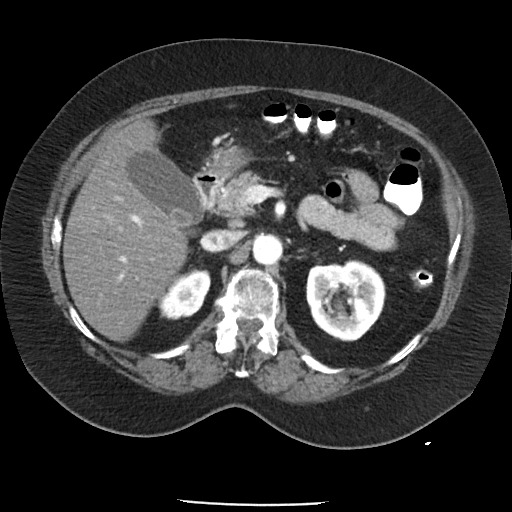
Arterial-phase contrast-enhanced abdominal CT, axial slice 62 of 85 (counted from the lowest slice); tube voltage 120 kVp, convolution kernel FC19; slices 5.00 mm thick, 0.741 mm per pixel.
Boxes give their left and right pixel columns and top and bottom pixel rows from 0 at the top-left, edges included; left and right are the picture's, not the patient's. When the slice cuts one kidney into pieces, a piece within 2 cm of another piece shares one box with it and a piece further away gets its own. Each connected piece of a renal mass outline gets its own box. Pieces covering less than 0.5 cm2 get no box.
Two kidney boxes on this slice; by box centre, from the image's left to its right: (1) Right kidney in the box with left 155, top 268, right 210, bottom 319 (outlined area 1,946 px, about 10.7 cm2). (2) Left kidney, the box with left 305, top 259, right 385, bottom 341 (outlined area 5,147 px, about 28.3 cm2). No renal mass is outlined on this slice.